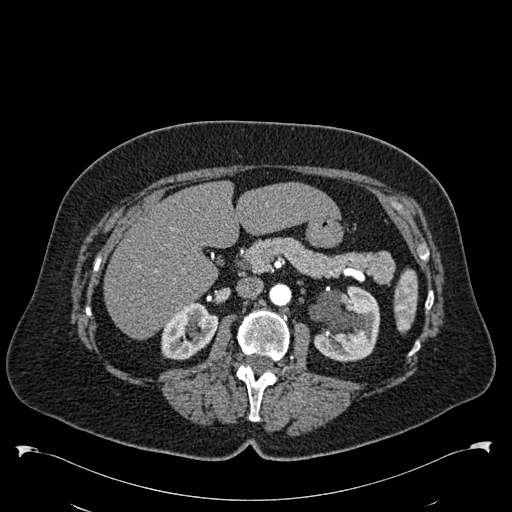
One axial slice (344 of 538, counting up from the lowest) of an arterial-phase abdominal CT acquired with 120 kVp, kernel B30f; each pixel is 0.811 mm and the slice is 1.00 mm thick.
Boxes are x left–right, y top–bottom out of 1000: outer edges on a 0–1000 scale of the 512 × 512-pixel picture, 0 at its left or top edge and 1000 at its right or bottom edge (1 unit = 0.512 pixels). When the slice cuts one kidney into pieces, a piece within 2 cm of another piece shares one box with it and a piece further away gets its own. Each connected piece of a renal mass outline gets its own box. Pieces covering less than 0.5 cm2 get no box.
Boxed on this slice (two kidney boxes), listed by box centre from the image's left to its right: (1) Right kidney at x 314–428, y 590–705 out of 1000 (outlined area 2,352 px, about 15.5 cm2). (2) Left kidney, box x 604–744, y 559–707 out of 1000 (outlined area 4,156 px, about 27.3 cm2). This slice carries no renal mass outline.